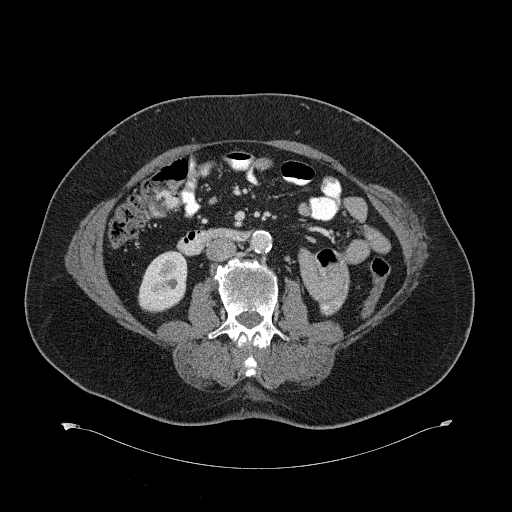
Abdominal CT with intravenous contrast, axial plane, 120 kVp, kernel B31f. Slice 323/734 from the bottom of the scan; thickness 2.00 mm; pixel size 0.971 mm.
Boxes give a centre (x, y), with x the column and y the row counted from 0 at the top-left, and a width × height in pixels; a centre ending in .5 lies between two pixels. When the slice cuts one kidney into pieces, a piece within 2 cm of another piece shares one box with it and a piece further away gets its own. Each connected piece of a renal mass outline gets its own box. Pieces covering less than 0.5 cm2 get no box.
Right kidney, box centre (162, 281.5), 51 × 62 pixels (outlined area 2,346 px, about 22.1 cm2). This slice carries no renal mass outline.